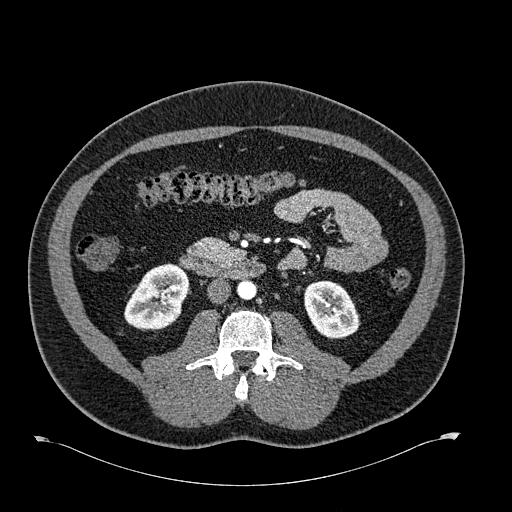
Abdominal CT with intravenous contrast, arterial phase, axial plane, 120 kVp, kernel B30f. Slice 316/723 from the bottom of the scan; thickness 1.00 mm; pixel size 0.895 mm.
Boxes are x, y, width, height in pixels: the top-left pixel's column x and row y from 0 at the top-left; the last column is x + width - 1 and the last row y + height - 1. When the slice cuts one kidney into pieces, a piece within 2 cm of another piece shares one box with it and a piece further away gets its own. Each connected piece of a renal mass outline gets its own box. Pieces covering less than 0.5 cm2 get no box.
Two boxes on this slice (two kidney boxes), listed by box centre from the image's left to its right. (1) Right kidney, box x 124, y 263, width 64, height 68 (outlined area 3,124 px, about 25.0 cm2). (2) Left kidney, box x 304, y 280, width 57, height 60 (outlined area 2,498 px, about 20.0 cm2). No renal mass is outlined on this slice.